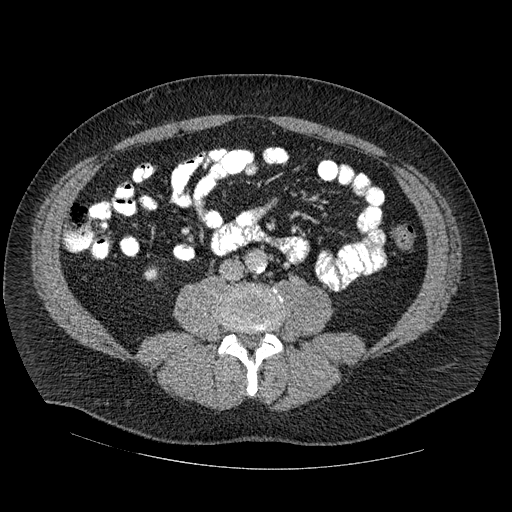
Arterial-phase contrast-enhanced abdominal CT, axial slice 226 of 445 (counted from the lowest slice); tube voltage 120 kVp, convolution kernel STANDARD; slices 1.25 mm thick, 0.863 mm per pixel.
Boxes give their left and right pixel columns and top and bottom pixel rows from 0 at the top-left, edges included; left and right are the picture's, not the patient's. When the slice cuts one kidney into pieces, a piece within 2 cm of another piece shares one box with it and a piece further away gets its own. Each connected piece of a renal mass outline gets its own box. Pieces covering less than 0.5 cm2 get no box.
Box with left 143, top 265, right 159, bottom 281: right kidney (outlined area 201 px, about 1.5 cm2). No renal mass is outlined on this slice.